Arterial-phase contrast-enhanced abdominal CT, axial slice 426 of 723 (counted from the lowest slice); tube voltage 120 kVp, convolution kernel B30f; slices 1.00 mm thick, 0.895 mm per pixel.
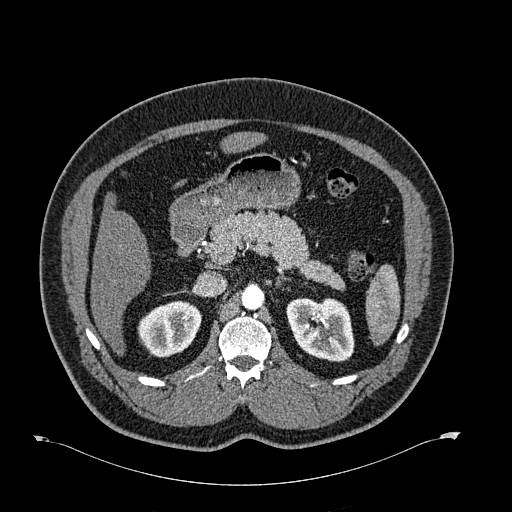
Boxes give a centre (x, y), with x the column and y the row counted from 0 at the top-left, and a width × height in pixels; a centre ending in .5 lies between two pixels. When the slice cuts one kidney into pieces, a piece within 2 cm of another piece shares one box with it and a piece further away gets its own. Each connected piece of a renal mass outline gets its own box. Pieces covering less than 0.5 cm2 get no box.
Boxed on this slice (two kidney boxes), listed by box centre from the image's left to its right: (1) Right kidney in a box with centre (169, 328.5), 65 × 58 pixels (outlined area 2,731 px, about 21.9 cm2). (2) Box centre (320, 329), 69 × 65 pixels: left kidney (outlined area 3,458 px, about 27.7 cm2). This slice carries no renal mass outline.